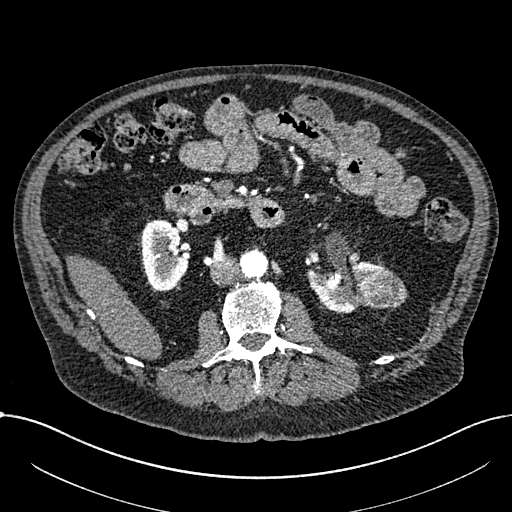
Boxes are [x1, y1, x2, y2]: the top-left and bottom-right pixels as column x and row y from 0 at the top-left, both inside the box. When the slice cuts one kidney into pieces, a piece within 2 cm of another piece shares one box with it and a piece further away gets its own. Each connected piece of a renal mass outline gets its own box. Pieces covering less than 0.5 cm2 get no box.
Slice 381/1059 of a contrast-enhanced abdominal CT in the arterial phase, counting up from the lowest; pixel size 0.811 mm, slice thickness 1.00 mm. Boxed on this slice (two kidney boxes and one renal mass box), listed by box centre from the image's left to its right: (1) Box [141, 220, 189, 291]: right part of the midline-crossing kidney (outlined area 2,606 px, about 17.1 cm2). (2) Box [306, 260, 388, 312]: left part of the midline-crossing kidney (outlined area 2,346 px, about 15.4 cm2). (3) Renal mass at [358, 270, 407, 308] (outlined area 1,498 px, about 9.8 cm2).
Tube voltage 100 kVp; convolution kernel I30f.